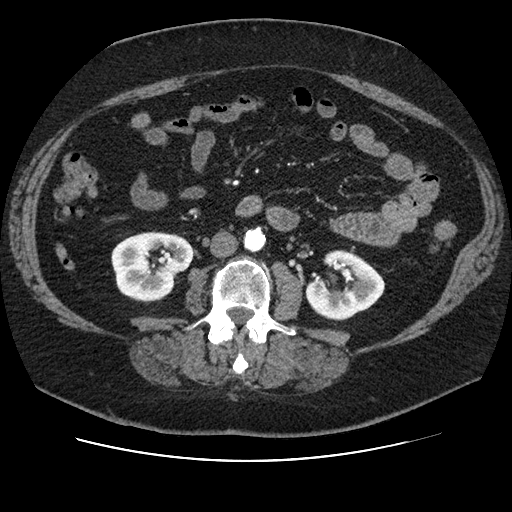
Abdominal CT with intravenous contrast, arterial phase, axial plane, 120 kVp, kernel STANDARD. Slice 37/106 from the bottom of the scan; thickness 2.50 mm; pixel size 0.742 mm.
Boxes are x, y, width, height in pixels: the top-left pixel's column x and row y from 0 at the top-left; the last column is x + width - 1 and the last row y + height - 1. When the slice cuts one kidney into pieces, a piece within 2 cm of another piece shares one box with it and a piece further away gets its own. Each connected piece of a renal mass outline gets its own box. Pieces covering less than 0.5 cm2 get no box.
Two boxes on this slice (two kidney boxes), listed by box centre from the image's left to its right. (1) Box x 111, y 231, width 83, height 72: right kidney (outlined area 4,390 px, about 24.2 cm2). (2) Left kidney, box x 305, y 250, width 81, height 71 (outlined area 3,778 px, about 20.8 cm2). No renal mass is outlined on this slice.